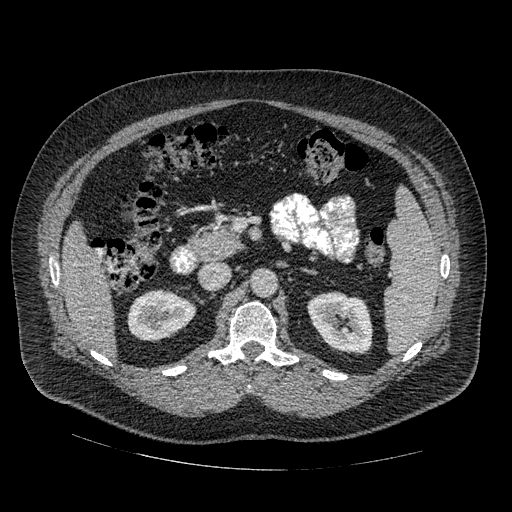
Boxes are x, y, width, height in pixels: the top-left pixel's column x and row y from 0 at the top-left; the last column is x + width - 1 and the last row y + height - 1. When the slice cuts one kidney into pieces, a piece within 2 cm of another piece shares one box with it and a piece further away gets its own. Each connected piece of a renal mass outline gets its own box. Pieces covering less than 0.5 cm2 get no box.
Slice 296/445 of a contrast-enhanced abdominal CT in the arterial phase, counting up from the lowest; pixel size 0.863 mm, slice thickness 1.25 mm. Two kidney boxes on this slice; by box centre, from the image's left to its right: (1) Right kidney at x 127, y 290, width 70, height 52 (outlined area 2,664 px, about 19.9 cm2). (2) Box x 307, y 291, width 67, height 65: left kidney (outlined area 3,120 px, about 23.3 cm2). No renal mass is outlined on this slice.
Acquired at 120 kVp and reconstructed with the STANDARD kernel.